One axial slice (49 of 195, counting up from the lowest) of an arterial-phase abdominal CT acquired with 100 kVp, kernel I31f; each pixel is 0.707 mm and the slice is 1.50 mm thick.
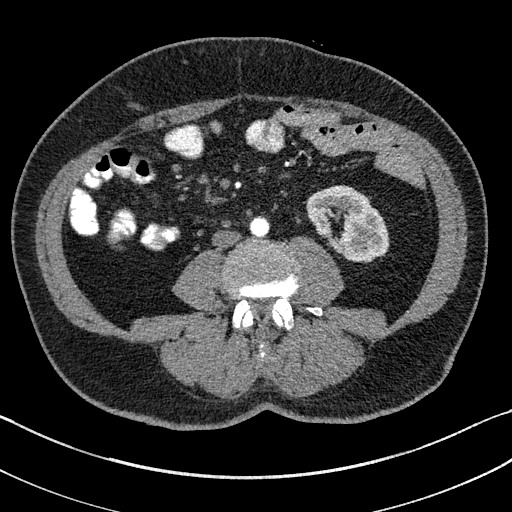
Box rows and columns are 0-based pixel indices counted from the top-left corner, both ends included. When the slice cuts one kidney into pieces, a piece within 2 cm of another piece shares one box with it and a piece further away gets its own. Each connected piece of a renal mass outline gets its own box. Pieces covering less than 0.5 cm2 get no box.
Left kidney, box rows 185–262, columns 306–388 (outlined area 4,238 px, about 21.2 cm2). No renal mass is outlined on this slice.